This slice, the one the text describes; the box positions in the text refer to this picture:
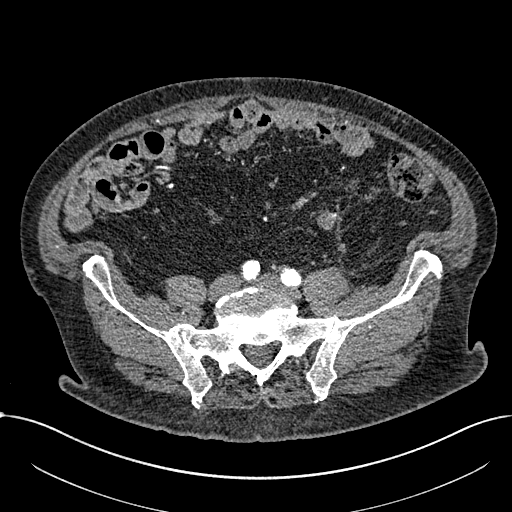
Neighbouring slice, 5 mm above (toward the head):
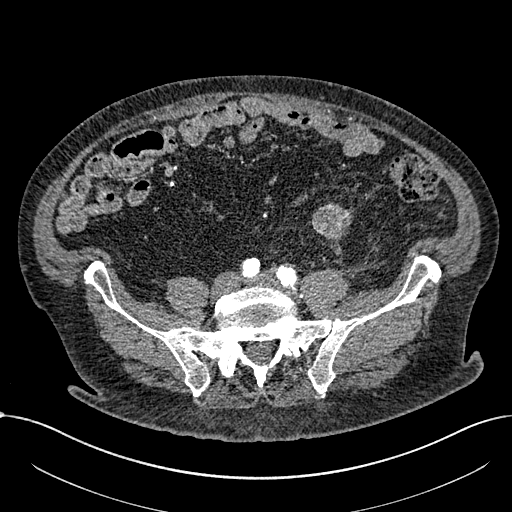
Abdominal CT with intravenous contrast, arterial phase, axial plane, 100 kVp, kernel I30f. Slice 152/1059 from the bottom of the scan; thickness 1.00 mm; pixel size 0.811 mm.
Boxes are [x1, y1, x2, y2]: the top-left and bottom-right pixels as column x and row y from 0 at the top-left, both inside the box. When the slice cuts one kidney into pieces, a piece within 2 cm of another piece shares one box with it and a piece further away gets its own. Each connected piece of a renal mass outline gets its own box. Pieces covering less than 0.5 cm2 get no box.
Box [316, 210, 338, 230]: renal mass (outlined area 340 px, about 2.2 cm2); no kidney is outlined on this slice, but the same outlined renal mass comes within 1 cm of the kidney on another slice. This slice is near the end of a renal mass toward the feet, so the slice 5 mm above it is shown as well; the boxes refer to this slice only.